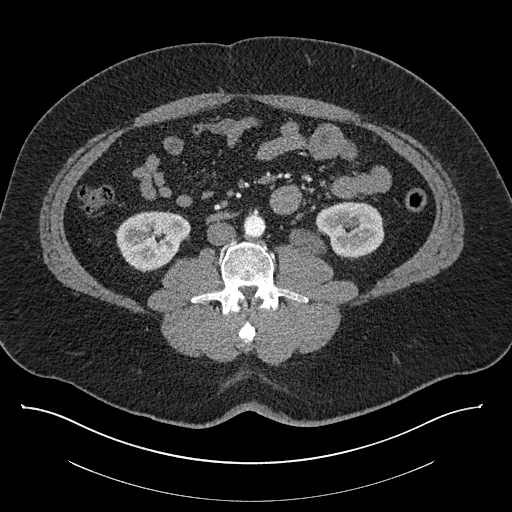
Abdominal CT with intravenous contrast, axial plane, 140 kVp, kernel I30f. Slice 402/787 from the bottom of the scan; thickness 1.00 mm; pixel size 0.910 mm.
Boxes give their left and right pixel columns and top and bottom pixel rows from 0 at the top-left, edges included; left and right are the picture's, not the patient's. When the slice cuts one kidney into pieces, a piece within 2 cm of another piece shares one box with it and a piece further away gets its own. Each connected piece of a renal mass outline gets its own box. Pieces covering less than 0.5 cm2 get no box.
Two boxes on this slice (two kidney boxes), listed by box centre from the image's left to its right. (1) Right kidney, the box with left 115, top 211, right 191, bottom 271 (outlined area 3,394 px, about 28.1 cm2). (2) Box with left 289, top 201, right 384, bottom 257: left kidney (outlined area 3,631 px, about 30.1 cm2). This slice carries no renal mass outline.